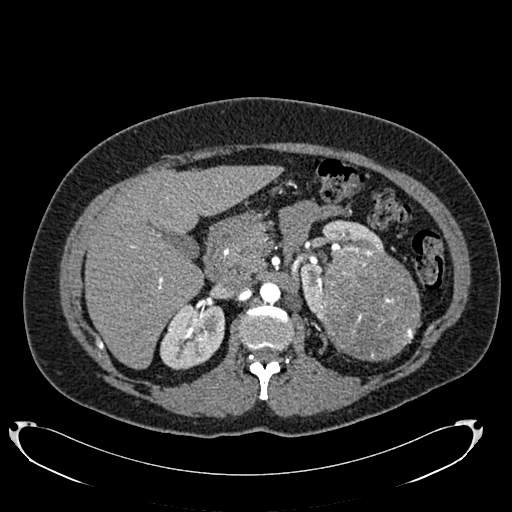
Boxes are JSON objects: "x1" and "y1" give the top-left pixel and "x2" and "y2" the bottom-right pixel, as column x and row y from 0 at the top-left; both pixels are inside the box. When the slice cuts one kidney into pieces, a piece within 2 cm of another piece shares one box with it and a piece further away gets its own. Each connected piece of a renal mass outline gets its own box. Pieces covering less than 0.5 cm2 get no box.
This is axial slice 471 of 634 (slice 1 is the lowest) of an arterial-phase abdominal CT with contrast; each pixel is 0.838 mm and the slice is 1.00 mm thick. Boxed on this slice (two kidney boxes and one renal mass box), listed by box centre from the image's left to its right: (1) Box {"x1": 160, "y1": 302, "x2": 224, "y2": 369}: right kidney (outlined area 3,338 px, about 23.4 cm2). (2) Left kidney at {"x1": 299, "y1": 220, "x2": 383, "y2": 319} (outlined area 2,650 px, about 18.6 cm2). (3) Left renal mass at {"x1": 319, "y1": 245, "x2": 421, "y2": 361} (outlined area 9,415 px, about 66.1 cm2).
Scan settings: 120 kVp, B20f reconstruction kernel.